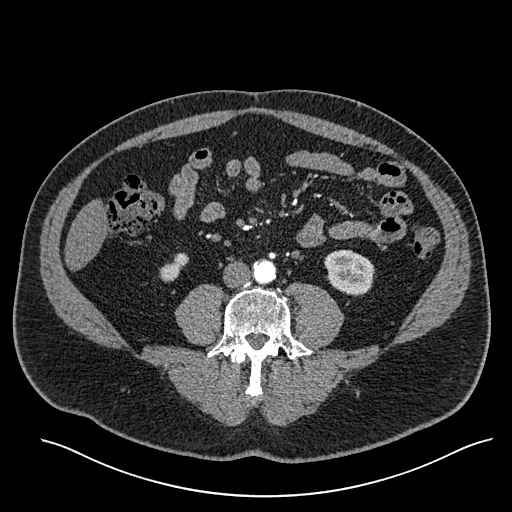
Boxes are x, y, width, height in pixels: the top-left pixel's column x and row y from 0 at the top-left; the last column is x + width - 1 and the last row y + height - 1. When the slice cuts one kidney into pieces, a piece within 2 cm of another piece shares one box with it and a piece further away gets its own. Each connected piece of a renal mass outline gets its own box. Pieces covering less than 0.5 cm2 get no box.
Slice 200/527 of a contrast-enhanced abdominal CT in the arterial phase, counting up from the lowest; pixel size 0.859 mm, slice thickness 1.00 mm. Two boxes on this slice (two kidney boxes), listed by box centre from the image's left to its right. (1) Box x 159, y 253, width 30, height 30: right kidney (outlined area 496 px, about 3.7 cm2). (2) Left kidney at x 324, y 249, width 51, height 48 (outlined area 1,815 px, about 13.4 cm2). No renal mass outline on this slice.
Scan settings: 120 kVp, I30f reconstruction kernel.